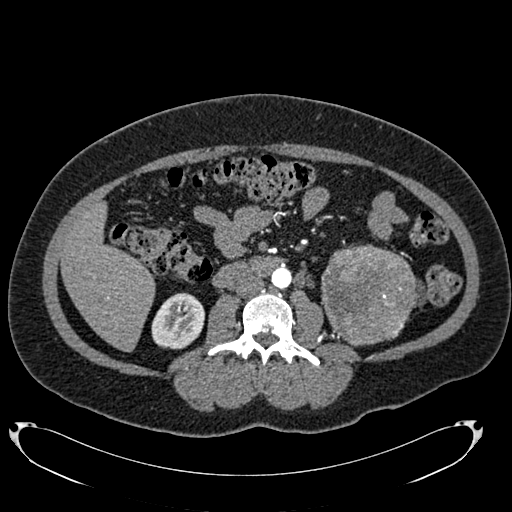
Abdominal CT with intravenous contrast, arterial phase, axial plane, 120 kVp, kernel B20f. Slice 365/634 from the bottom of the scan; thickness 1.00 mm; pixel size 0.838 mm.
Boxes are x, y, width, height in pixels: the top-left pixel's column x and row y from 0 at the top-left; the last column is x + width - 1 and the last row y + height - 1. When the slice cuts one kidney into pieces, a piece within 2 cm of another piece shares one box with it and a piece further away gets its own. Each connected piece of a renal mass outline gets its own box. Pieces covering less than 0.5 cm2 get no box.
Two boxes on this slice (one kidney box and one renal mass box), listed by box centre from the image's left to its right. (1) Box x 151, y 292, width 54, height 58: right kidney (outlined area 2,341 px, about 16.4 cm2). (2) Left renal mass, box x 321, y 244, width 96, height 103 (outlined area 7,767 px, about 54.5 cm2); on this slice it lies more than 1 cm from any kidney outline, but the same outlined renal mass comes within 1 cm of the kidney on another slice.